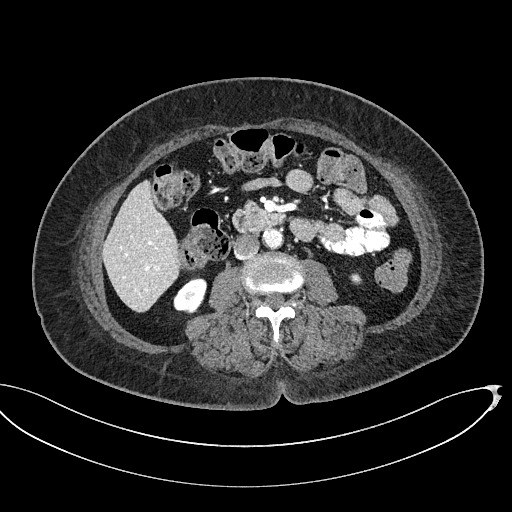
Contrast-enhanced abdominal CT, axial slice 261 of 439 (counted from the lowest slice); tube voltage 100 kVp, convolution kernel I40f; slices 2.00 mm thick, 0.850 mm per pixel.
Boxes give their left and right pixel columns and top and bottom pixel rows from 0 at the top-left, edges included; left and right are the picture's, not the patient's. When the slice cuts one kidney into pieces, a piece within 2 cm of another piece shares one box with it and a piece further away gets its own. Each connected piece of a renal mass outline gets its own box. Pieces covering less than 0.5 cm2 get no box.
Two kidney boxes on this slice; by box centre, from the image's left to its right: (1) Right kidney in the box with left 173, top 277, right 207, bottom 313 (outlined area 897 px, about 6.5 cm2). (2) Box with left 349, top 273, right 362, bottom 284: left kidney (outlined area 115 px, about 0.8 cm2). No renal mass is outlined on this slice.